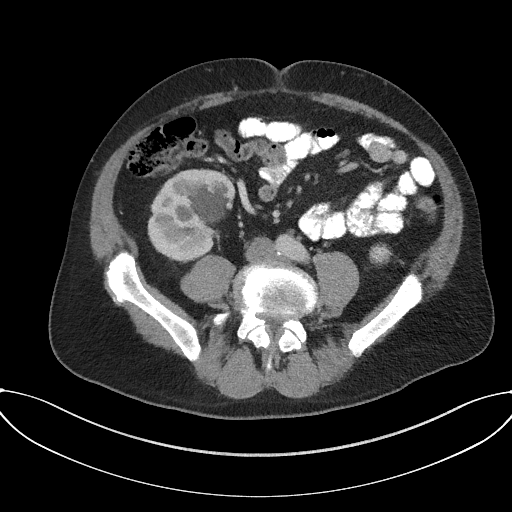
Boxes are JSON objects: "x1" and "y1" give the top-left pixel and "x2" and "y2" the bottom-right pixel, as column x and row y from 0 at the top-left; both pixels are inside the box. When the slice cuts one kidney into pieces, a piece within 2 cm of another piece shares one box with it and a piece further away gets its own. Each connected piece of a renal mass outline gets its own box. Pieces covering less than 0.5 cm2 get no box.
Slice 71/227 of a contrast-enhanced abdominal CT in the arterial phase, counting up from the lowest; pixel size 0.816 mm, slice thickness 3.00 mm. Two boxes on this slice (two kidney boxes), listed by box centre from the image's left to its right. (1) Right kidney at {"x1": 147, "y1": 168, "x2": 236, "y2": 261} (outlined area 6,041 px, about 40.3 cm2). (2) Left kidney, box {"x1": 369, "y1": 242, "x2": 392, "y2": 265} (outlined area 413 px, about 2.8 cm2). This slice carries no renal mass outline.
Acquired at 120 kVp and reconstructed with the I31f kernel.